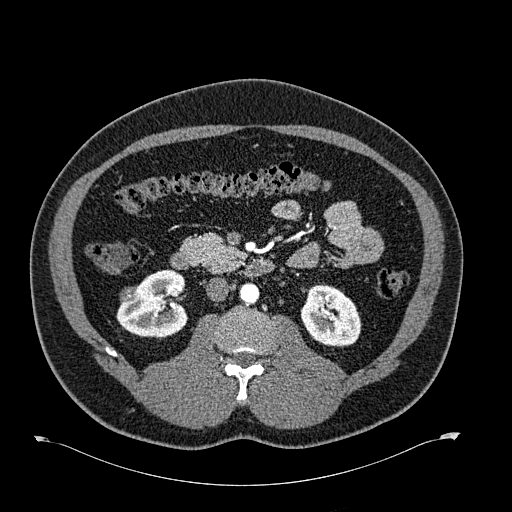
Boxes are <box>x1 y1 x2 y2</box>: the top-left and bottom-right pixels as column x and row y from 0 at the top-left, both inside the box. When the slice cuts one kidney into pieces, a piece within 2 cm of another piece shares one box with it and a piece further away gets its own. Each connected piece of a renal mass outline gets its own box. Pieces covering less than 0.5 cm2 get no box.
Slice 342/723 of a contrast-enhanced abdominal CT in the arterial phase, counting up from the lowest; pixel size 0.895 mm, slice thickness 1.00 mm. Boxed on this slice (two kidney boxes and one renal mass box), listed by box centre from the image's left to its right: (1) At <box>120 286 139 303</box>: right renal mass (outlined area 288 px, about 2.3 cm2). (2) At <box>116 269 188 339</box>: right kidney (outlined area 3,484 px, about 27.9 cm2). (3) At <box>300 284 360 347</box>: left kidney (outlined area 2,903 px, about 23.2 cm2).
Acquired at 120 kVp and reconstructed with the B30f kernel.